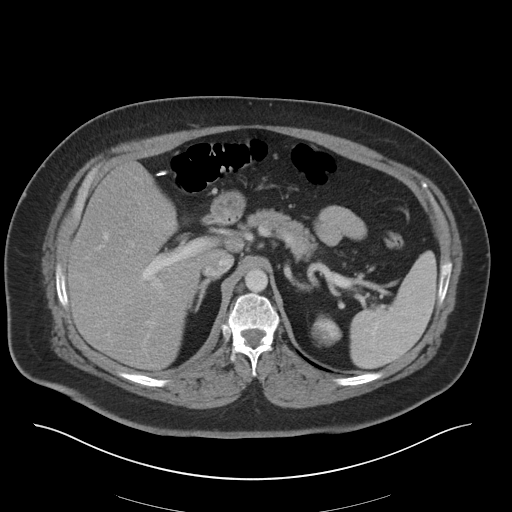
Abdominal CT with intravenous contrast, arterial phase, axial plane, 140 kVp, kernel I30f. Slice 29/36 from the bottom of the scan; thickness 5.00 mm; pixel size 0.906 mm.
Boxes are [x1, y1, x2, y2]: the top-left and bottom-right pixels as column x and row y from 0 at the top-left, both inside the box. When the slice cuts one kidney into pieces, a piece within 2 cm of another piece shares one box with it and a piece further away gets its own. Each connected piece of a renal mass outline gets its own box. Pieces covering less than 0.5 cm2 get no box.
Left renal mass at [311, 318, 341, 346] (outlined area 644 px, about 5.3 cm2).